Arterial-phase contrast-enhanced abdominal CT, axial slice 113 of 261 (counted from the lowest slice); tube voltage 120 kVp, convolution kernel I30f; slices 2.00 mm thick, 0.939 mm per pixel.
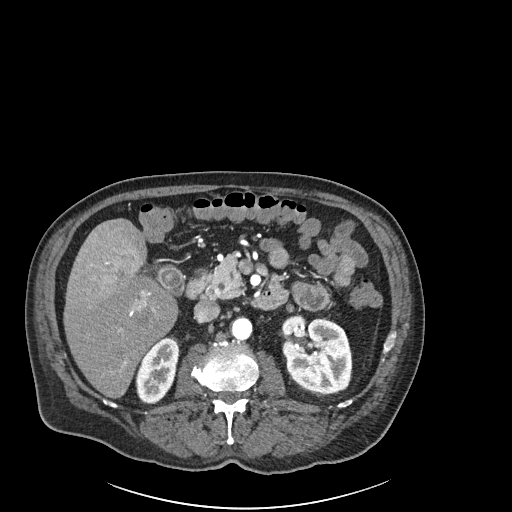
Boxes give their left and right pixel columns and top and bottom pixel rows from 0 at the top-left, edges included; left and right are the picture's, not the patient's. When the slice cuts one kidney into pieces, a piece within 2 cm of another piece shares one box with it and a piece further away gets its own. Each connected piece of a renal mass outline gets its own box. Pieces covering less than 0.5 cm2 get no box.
Boxed on this slice (two kidney boxes), listed by box centre from the image's left to its right: (1) Right kidney in the box with left 135, top 337, right 180, bottom 404 (outlined area 2,145 px, about 18.9 cm2). (2) Box with left 282, top 314, right 352, bottom 393: left kidney (outlined area 4,456 px, about 39.3 cm2). No renal mass is outlined on this slice.